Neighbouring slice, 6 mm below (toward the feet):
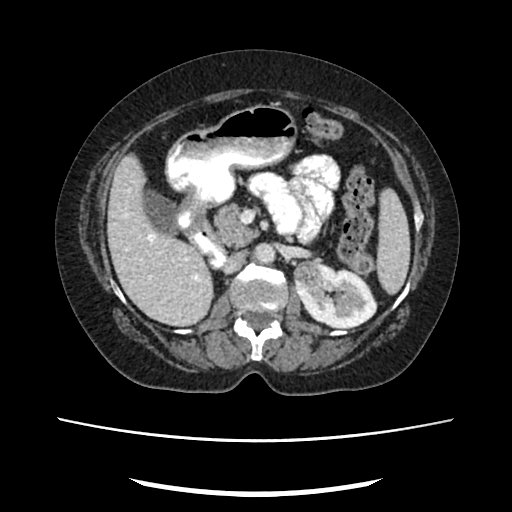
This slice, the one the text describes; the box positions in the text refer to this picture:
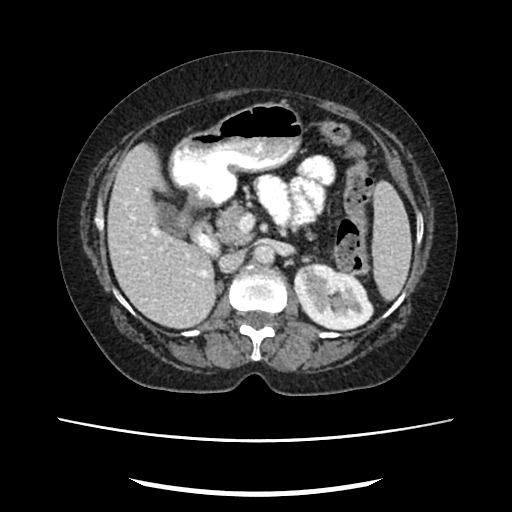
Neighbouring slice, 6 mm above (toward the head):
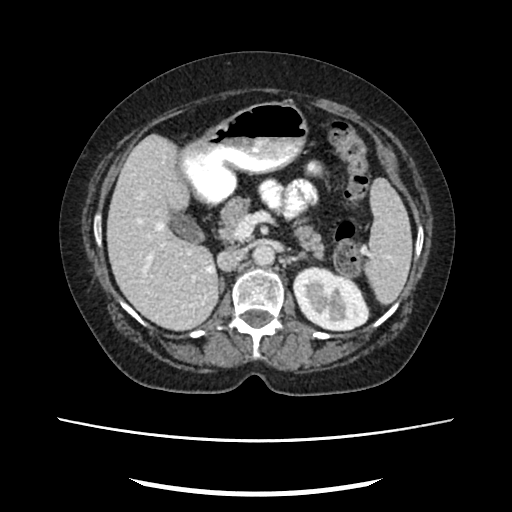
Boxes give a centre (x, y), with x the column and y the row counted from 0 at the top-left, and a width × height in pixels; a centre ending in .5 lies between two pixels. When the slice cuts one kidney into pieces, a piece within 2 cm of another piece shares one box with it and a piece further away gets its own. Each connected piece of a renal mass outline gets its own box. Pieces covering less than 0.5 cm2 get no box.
This is axial slice 146 of 207 (slice 1 is the lowest) of an arterial-phase abdominal CT with contrast; each pixel is 0.741 mm and the slice is 2.00 mm thick. One kidney box and one renal mass box on this slice; by box centre, from the image's left to its right: (1) Left renal mass in a box with centre (308, 275), 15 × 13 pixels (outlined area 146 px, about 0.8 cm2). (2) Left kidney in a box with centre (333.5, 296), 82 × 69 pixels (outlined area 3,853 px, about 21.2 cm2). This slice is near the end of the left renal mass toward the head, so the slices 6 mm below and 6 mm above it are shown as well; the boxes refer to this slice only.
Scan settings: 120 kVp, FC18 reconstruction kernel.